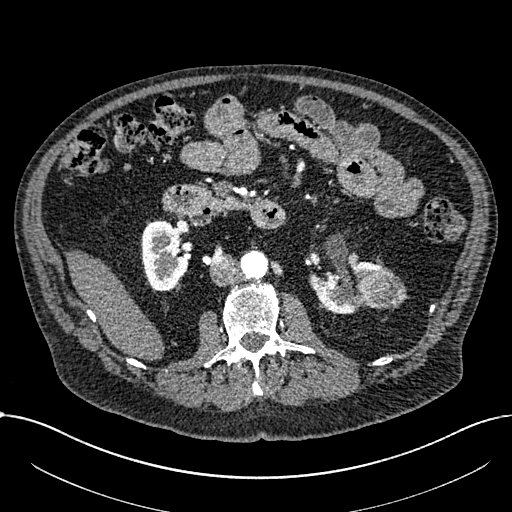
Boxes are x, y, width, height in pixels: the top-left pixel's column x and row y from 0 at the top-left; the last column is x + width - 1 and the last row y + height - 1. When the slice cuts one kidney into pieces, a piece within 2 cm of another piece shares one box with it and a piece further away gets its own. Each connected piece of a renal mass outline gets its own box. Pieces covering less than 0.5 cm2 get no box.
This is axial slice 384 of 1059 (slice 1 is the lowest) of an arterial-phase abdominal CT with contrast; each pixel is 0.811 mm and the slice is 1.00 mm thick. Two kidney boxes and one renal mass box on this slice; by box centre, from the image's left to its right: (1) Right part of the midline-crossing kidney, box x 141, y 220, width 49, height 72 (outlined area 2,595 px, about 17.0 cm2). (2) Left part of the midline-crossing kidney, box x 309, y 260, width 81, height 55 (outlined area 2,247 px, about 14.8 cm2). (3) Renal mass, box x 358, y 270, width 50, height 40 (outlined area 1,494 px, about 9.8 cm2).
Scan settings: 100 kVp, I30f reconstruction kernel.